Axial slice 309 of 591 of a contrast-enhanced abdominal CT in the arterial phase (slice 1 is the lowest), 140 kVp, kernel I30f; 1.00 mm slice thickness and 0.703 mm pixels.
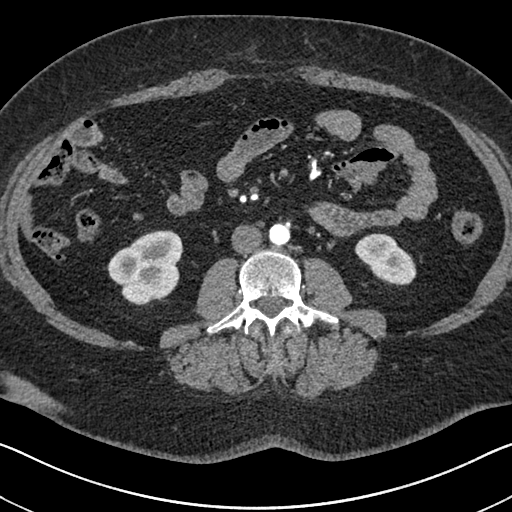
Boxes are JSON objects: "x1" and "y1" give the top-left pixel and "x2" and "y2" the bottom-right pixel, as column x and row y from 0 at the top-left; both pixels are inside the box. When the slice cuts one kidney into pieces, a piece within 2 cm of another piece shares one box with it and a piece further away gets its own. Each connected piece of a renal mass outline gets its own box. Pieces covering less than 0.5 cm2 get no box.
Boxed on this slice (two kidney boxes), listed by box centre from the image's left to its right: (1) Right kidney, box {"x1": 107, "y1": 230, "x2": 183, "y2": 305} (outlined area 4,084 px, about 20.2 cm2). (2) Left kidney, box {"x1": 354, "y1": 233, "x2": 416, "y2": 285} (outlined area 2,167 px, about 10.7 cm2). This slice carries no renal mass outline.